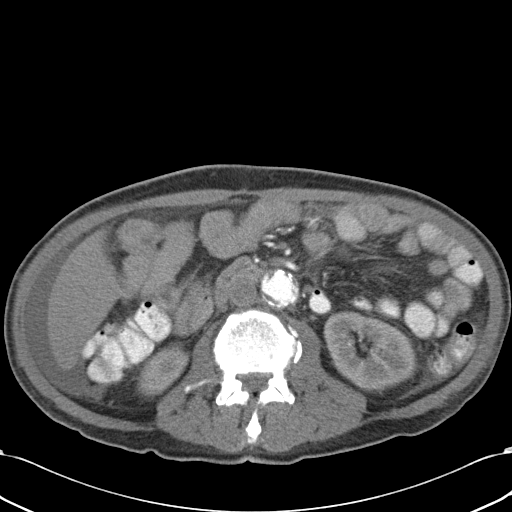
Abdominal CT with intravenous contrast, axial plane, 120 kVp, kernel B31f. Slice 8/43 from the bottom of the scan; thickness 5.00 mm; pixel size 0.701 mm.
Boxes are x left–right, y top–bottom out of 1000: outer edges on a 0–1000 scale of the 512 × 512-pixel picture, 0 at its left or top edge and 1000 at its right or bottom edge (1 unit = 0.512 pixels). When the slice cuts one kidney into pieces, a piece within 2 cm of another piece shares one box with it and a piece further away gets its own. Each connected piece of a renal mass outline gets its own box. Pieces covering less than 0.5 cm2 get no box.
Boxed on this slice (two kidney boxes), listed by box centre from the image's left to its right: (1) Right kidney at x 268–371, y 676–777 out of 1000 (outlined area 1,800 px, about 8.8 cm2). (2) Box x 631–818, y 605–766 out of 1000: left kidney (outlined area 5,591 px, about 27.5 cm2). This slice carries no renal mass outline.